Arterial-phase contrast-enhanced abdominal CT, axial slice 28 of 96 (counted from the lowest slice); tube voltage 130 kVp, convolution kernel B30s; slices 3.00 mm thick, 0.781 mm per pixel.
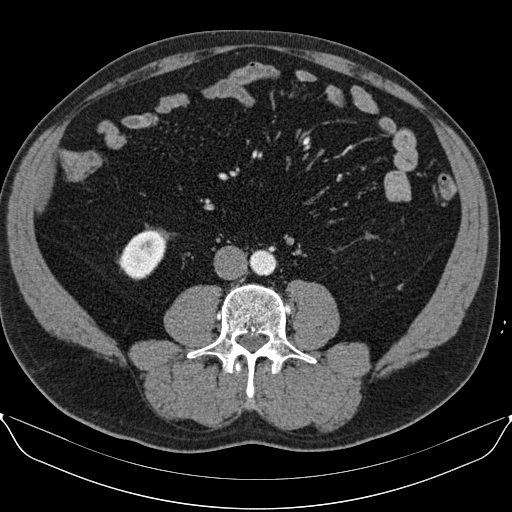
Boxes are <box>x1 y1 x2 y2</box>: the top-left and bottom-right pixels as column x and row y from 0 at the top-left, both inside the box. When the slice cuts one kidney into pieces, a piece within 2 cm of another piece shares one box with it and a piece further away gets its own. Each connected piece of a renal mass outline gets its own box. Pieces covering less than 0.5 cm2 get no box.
At <box>119 230 166 279</box>: right kidney (outlined area 1,664 px, about 10.2 cm2). No renal mass is outlined on this slice.